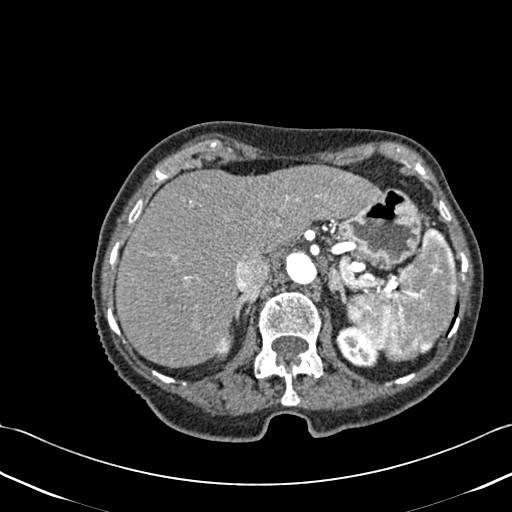
One axial slice (335 of 433, counting up from the lowest) of a contrast-enhanced abdominal CT acquired with 120 kVp, kernel B30f; each pixel is 0.672 mm and the slice is 1.00 mm thick.
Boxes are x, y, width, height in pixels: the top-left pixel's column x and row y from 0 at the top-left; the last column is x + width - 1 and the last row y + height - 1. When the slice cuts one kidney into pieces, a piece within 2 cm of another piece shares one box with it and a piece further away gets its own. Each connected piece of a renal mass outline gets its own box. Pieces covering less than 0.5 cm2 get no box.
Boxed on this slice (two kidney boxes), listed by box centre from the image's left to its right: (1) Box x 217, y 327, width 17, height 28: right kidney (outlined area 300 px, about 1.4 cm2). (2) Left kidney at x 335, y 325, width 47, height 43 (outlined area 1,329 px, about 6.0 cm2). No renal mass is outlined on this slice.